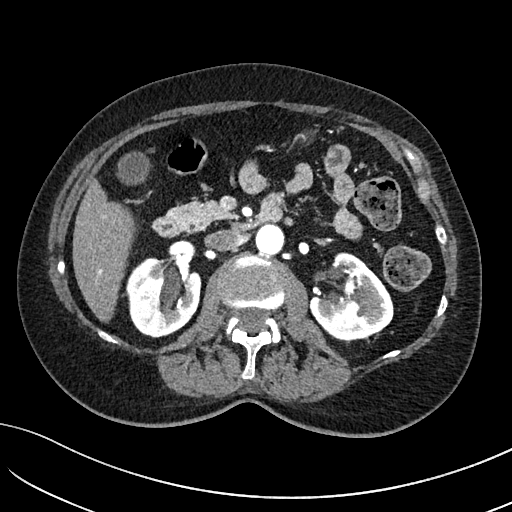
One axial slice (69 of 234, counting up from the lowest) of an arterial-phase abdominal CT acquired with 100 kVp, kernel I40f; each pixel is 0.699 mm and the slice is 2.00 mm thick.
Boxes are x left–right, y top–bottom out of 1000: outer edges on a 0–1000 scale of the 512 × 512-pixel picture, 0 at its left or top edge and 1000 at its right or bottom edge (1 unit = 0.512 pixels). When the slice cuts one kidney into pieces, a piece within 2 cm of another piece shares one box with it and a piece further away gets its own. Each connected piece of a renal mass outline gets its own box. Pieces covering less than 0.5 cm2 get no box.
Boxed on this slice (two kidney boxes), listed by box centre from the image's left to its right: (1) Box x 246–395, y 502–660 out of 1000: right kidney (outlined area 4,684 px, about 22.9 cm2). (2) Left kidney, box x 602–770, y 492–664 out of 1000 (outlined area 5,078 px, about 24.8 cm2). No renal mass is outlined on this slice.